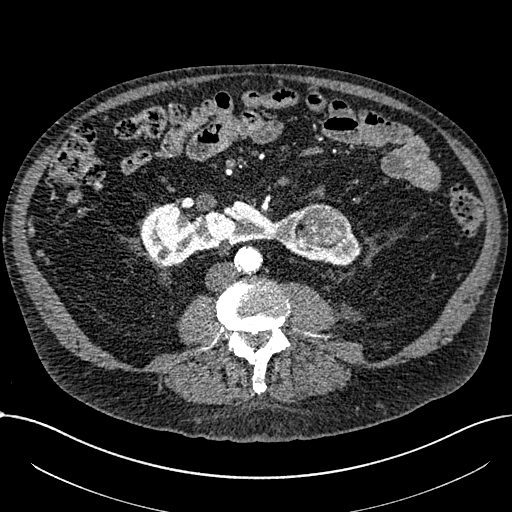
Abdominal CT with intravenous contrast, arterial phase, axial plane, 100 kVp, kernel I30f. Slice 294/1059 from the bottom of the scan; thickness 1.00 mm; pixel size 0.811 mm.
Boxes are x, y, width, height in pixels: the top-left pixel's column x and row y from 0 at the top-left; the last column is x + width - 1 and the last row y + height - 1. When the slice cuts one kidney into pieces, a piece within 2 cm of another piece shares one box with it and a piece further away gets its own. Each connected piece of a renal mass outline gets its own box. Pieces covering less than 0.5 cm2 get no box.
Two boxes on this slice (one kidney box and one renal mass box), listed by box centre from the image's left to its right. (1) Kidney crossing the body midline, box x 139, y 200, width 222, height 67 (outlined area 8,040 px, about 52.8 cm2). (2) Box x 295, y 203, width 53, height 48: renal mass (outlined area 1,882 px, about 12.4 cm2).